Abdominal CT with intravenous contrast, arterial phase, axial plane, 140 kVp, kernel I30f. Slice 291/591 from the bottom of the scan; thickness 1.00 mm; pixel size 0.703 mm.
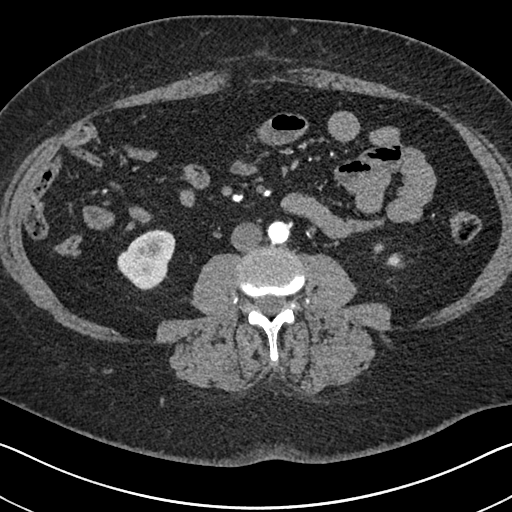
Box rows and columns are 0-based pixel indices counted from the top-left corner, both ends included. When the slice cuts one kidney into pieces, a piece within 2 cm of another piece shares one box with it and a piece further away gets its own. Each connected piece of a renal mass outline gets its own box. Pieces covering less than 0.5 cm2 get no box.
Two boxes on this slice (two kidney boxes), listed by box centre from the image's left to its right. (1) Right kidney, box rows 229–290, columns 117–175 (outlined area 2,507 px, about 12.4 cm2). (2) Left kidney, box rows 253–268, columns 386–404 (outlined area 212 px, about 1.0 cm2). This slice carries no renal mass outline.